Axial slice 246 of 602 of a contrast-enhanced abdominal CT in the arterial phase (slice 1 is the lowest), 120 kVp, kernel I30f; 1.00 mm slice thickness and 0.799 mm pixels.
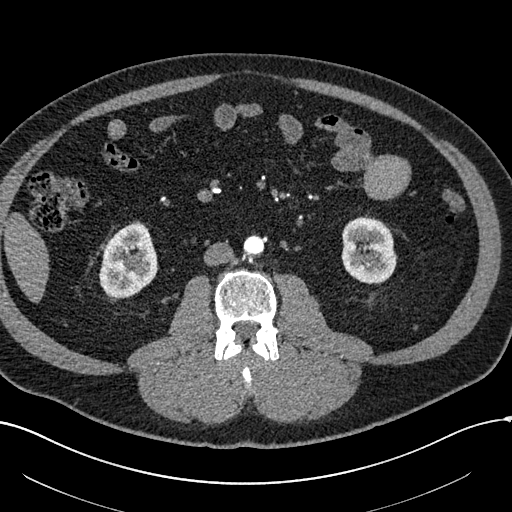
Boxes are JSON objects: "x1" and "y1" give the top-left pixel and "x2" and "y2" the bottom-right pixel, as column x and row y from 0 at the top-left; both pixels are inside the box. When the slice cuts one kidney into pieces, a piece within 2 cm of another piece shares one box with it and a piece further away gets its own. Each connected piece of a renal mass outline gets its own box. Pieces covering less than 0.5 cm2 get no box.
Two boxes on this slice (two kidney boxes), listed by box centre from the image's left to its right. (1) Right kidney, box {"x1": 98, "y1": 222, "x2": 157, "y2": 301} (outlined area 3,395 px, about 21.7 cm2). (2) Box {"x1": 341, "y1": 215, "x2": 397, "y2": 284}: left kidney (outlined area 3,075 px, about 19.6 cm2).